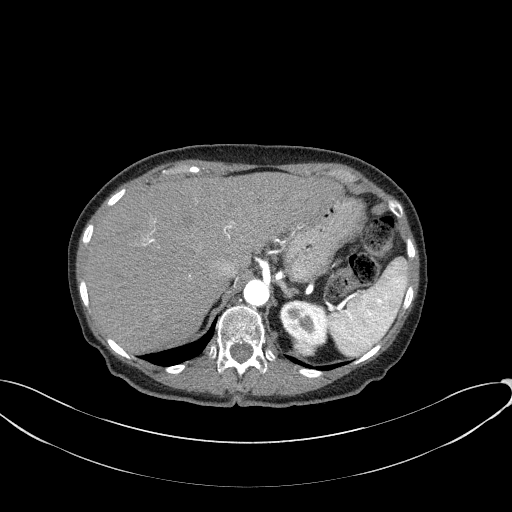
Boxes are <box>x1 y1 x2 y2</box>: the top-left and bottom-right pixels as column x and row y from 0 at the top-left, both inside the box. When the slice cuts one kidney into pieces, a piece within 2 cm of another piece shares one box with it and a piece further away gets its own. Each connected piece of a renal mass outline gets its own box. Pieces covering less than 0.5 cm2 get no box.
Slice 53/77 of a contrast-enhanced abdominal CT in the arterial phase, counting up from the lowest; pixel size 0.809 mm, slice thickness 3.00 mm. Boxed on this slice (one kidney box and one renal mass box), listed by box centre from the image's left to its right: (1) Left kidney at <box>280 301 327 346</box> (outlined area 1,656 px, about 10.8 cm2). (2) Left renal mass: <box>293 340 315 357</box> (outlined area 294 px, about 1.9 cm2).
Scan settings: 100 kVp, B41f reconstruction kernel.